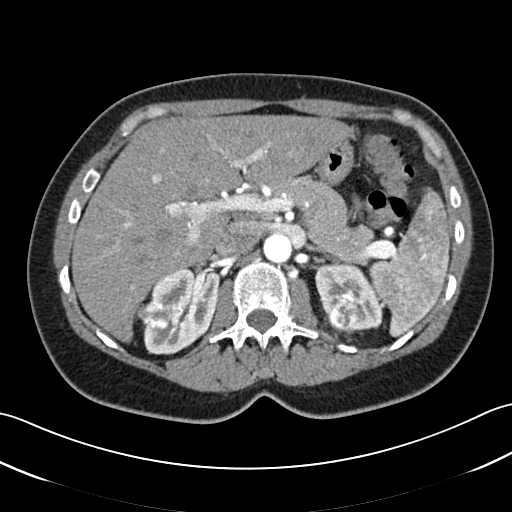
Axial slice 33 of 52 of a contrast-enhanced abdominal CT in the arterial phase (slice 1 is the lowest), 120 kVp, kernel B30f; 3.00 mm slice thickness and 0.678 mm pixels.
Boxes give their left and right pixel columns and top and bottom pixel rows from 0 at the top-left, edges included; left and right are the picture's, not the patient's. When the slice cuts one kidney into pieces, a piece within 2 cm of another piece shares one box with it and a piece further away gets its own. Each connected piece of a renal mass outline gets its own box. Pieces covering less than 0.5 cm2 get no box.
Two kidney boxes and two renal mass boxes on this slice; by box centre, from the image's left to its right: (1) Box with left 136, top 299, right 175, bottom 331: right renal mass (outlined area 944 px, about 4.3 cm2). (2) Right kidney, the box with left 143, top 267, right 219, bottom 354 (outlined area 4,303 px, about 19.8 cm2). (3) Box with left 327, top 300, right 356, bottom 331: left renal mass (outlined area 745 px, about 3.4 cm2). (4) Left kidney, the box with left 315, top 263, right 382, bottom 331 (outlined area 2,857 px, about 13.1 cm2).